Arterial-phase contrast-enhanced abdominal CT, axial slice 420 of 705 (counted from the lowest slice); tube voltage 120 kVp, convolution kernel I30f; slices 1.00 mm thick, 0.703 mm per pixel.
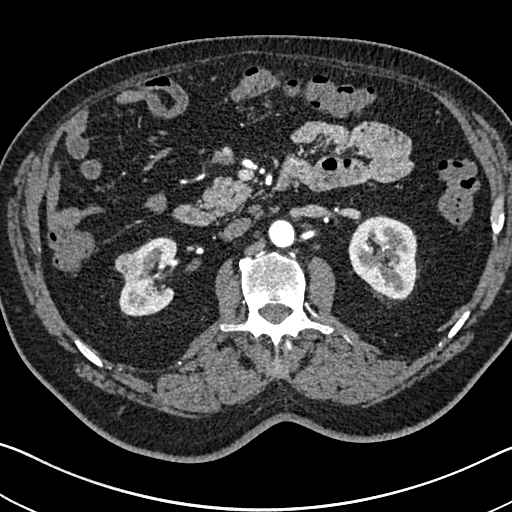
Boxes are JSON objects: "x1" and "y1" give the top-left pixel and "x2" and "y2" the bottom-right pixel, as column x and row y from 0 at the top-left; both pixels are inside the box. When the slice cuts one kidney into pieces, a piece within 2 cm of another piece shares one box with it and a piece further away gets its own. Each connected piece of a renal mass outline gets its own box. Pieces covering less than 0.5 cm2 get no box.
Two kidney boxes and one renal mass box on this slice; by box centre, from the image's left to its right: (1) Box {"x1": 114, "y1": 252, "x2": 142, "y2": 280}: right renal mass (outlined area 626 px, about 3.1 cm2). (2) Box {"x1": 118, "y1": 237, "x2": 177, "y2": 316}: right kidney (outlined area 3,060 px, about 15.1 cm2). (3) Left kidney at {"x1": 348, "y1": 215, "x2": 419, "y2": 300} (outlined area 4,555 px, about 22.5 cm2).